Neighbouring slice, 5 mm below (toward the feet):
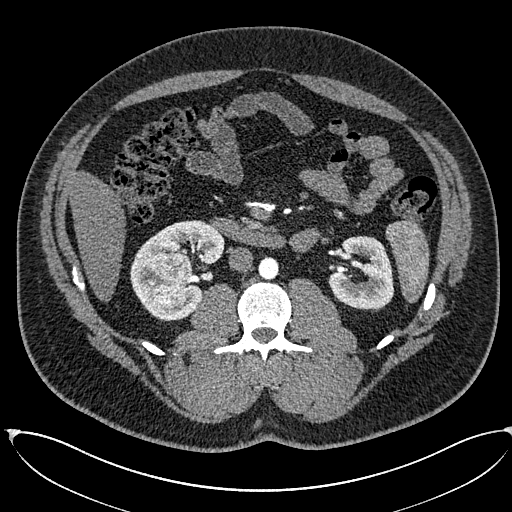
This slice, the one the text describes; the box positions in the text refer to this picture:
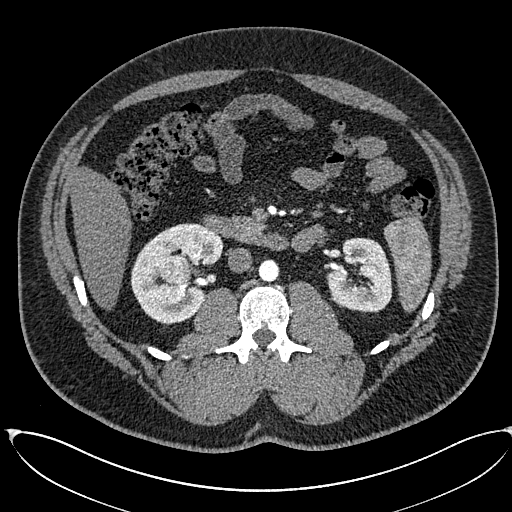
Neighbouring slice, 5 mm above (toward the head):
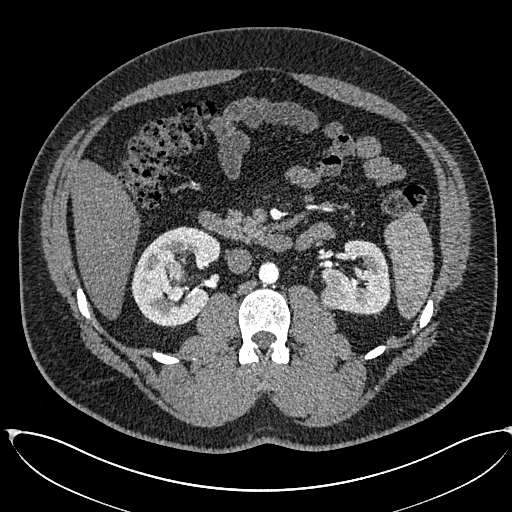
One axial slice (333 of 673, counting up from the lowest) of an arterial-phase abdominal CT acquired with 120 kVp, kernel I30f; each pixel is 0.855 mm and the slice is 1.00 mm thick.
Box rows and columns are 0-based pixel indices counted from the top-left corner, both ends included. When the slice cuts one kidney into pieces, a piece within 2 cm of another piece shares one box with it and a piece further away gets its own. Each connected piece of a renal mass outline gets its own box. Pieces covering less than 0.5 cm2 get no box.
Four boxes on this slice (two kidney boxes and two renal mass boxes), listed by box centre from the image's left to its right. (1) Right renal mass, box rows 255–303, columns 159–191 (outlined area 1,234 px, about 9.0 cm2). (2) Box rows 223–323, columns 130–223: right kidney (outlined area 5,452 px, about 39.9 cm2). (3) Left renal mass, box rows 291–307, columns 330–348 (outlined area 217 px, about 1.6 cm2). (4) Box rows 237–312, columns 325–392: left kidney (outlined area 3,604 px, about 26.4 cm2). This slice lies near the end of the left renal mass toward the feet; the slices 5 mm below and 5 mm above it are shown too, and the boxes mark positions on this slice only.